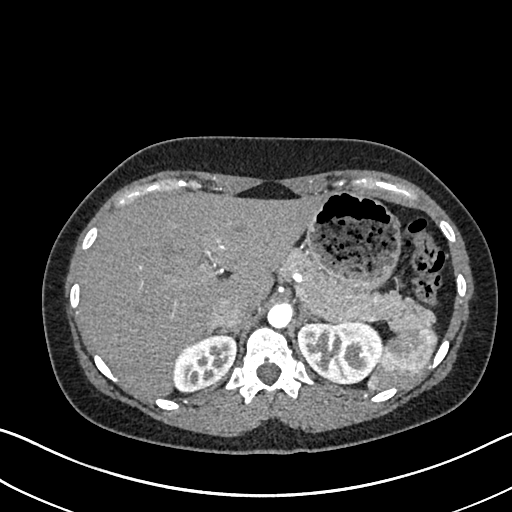
Axial slice 521 of 612 of a contrast-enhanced abdominal CT in the arterial phase (slice 1 is the lowest), 120 kVp, kernel I30f; 1.00 mm slice thickness and 0.703 mm pixels.
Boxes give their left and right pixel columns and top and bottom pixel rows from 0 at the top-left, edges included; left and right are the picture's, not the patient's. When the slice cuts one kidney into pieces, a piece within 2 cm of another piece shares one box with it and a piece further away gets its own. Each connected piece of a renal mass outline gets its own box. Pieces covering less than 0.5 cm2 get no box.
Boxed on this slice (two kidney boxes), listed by box centre from the image's left to its right: (1) Right kidney in the box with left 173, top 334, right 236, bottom 391 (outlined area 2,682 px, about 13.3 cm2). (2) Left kidney, the box with left 297, top 321, right 382, bottom 384 (outlined area 4,268 px, about 21.1 cm2). No renal mass outline on this slice.